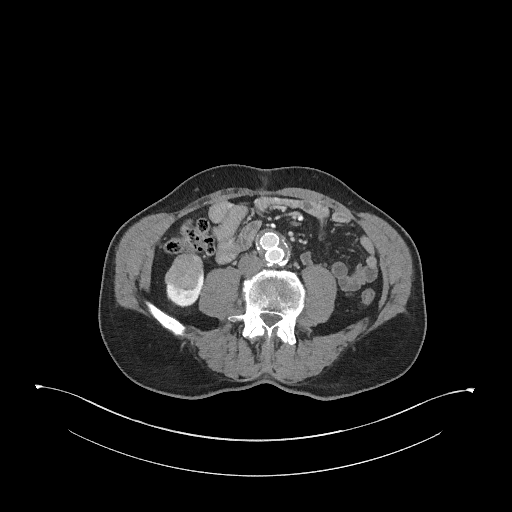
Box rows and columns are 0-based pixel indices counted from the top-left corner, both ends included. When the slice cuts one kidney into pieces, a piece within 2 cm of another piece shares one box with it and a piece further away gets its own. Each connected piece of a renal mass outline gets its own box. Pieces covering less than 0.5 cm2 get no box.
Slice 122/345 of a contrast-enhanced abdominal CT in the arterial phase, counting up from the lowest; pixel size 0.977 mm, slice thickness 2.00 mm. Boxed on this slice (one kidney box and one renal mass box), listed by box centre from the image's left to its right: (1) Right renal mass at rows 253–288, columns 164–203 (outlined area 1,071 px, about 10.2 cm2). (2) Right kidney at rows 275–307, columns 166–204 (outlined area 647 px, about 6.2 cm2).
Tube voltage 120 kVp; convolution kernel I31f.